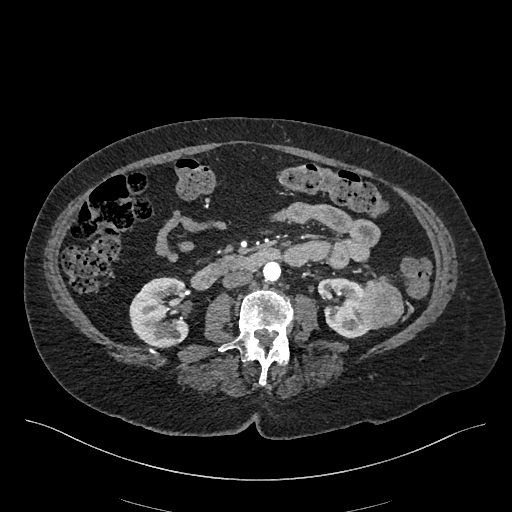
Axial slice 217 of 548 of a contrast-enhanced abdominal CT in the arterial phase (slice 1 is the lowest), 120 kVp, kernel I26f; 1.00 mm slice thickness and 0.852 mm pixels.
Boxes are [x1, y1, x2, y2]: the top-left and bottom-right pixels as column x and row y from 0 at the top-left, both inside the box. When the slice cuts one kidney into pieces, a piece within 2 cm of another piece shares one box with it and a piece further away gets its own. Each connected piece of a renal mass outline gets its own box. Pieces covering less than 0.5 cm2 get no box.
Boxed on this slice (two kidney boxes and one renal mass box), listed by box centre from the image's left to its right: (1) Box [129, 277, 188, 348]: right kidney (outlined area 3,384 px, about 24.5 cm2). (2) Left kidney, box [316, 277, 369, 338] (outlined area 2,143 px, about 15.5 cm2). (3) Box [357, 276, 403, 329]: left renal mass (outlined area 1,862 px, about 13.5 cm2).